One axial slice (272 of 527, counting up from the lowest) of an arterial-phase abdominal CT acquired with 120 kVp, kernel I30f; each pixel is 0.859 mm and the slice is 1.00 mm thick.
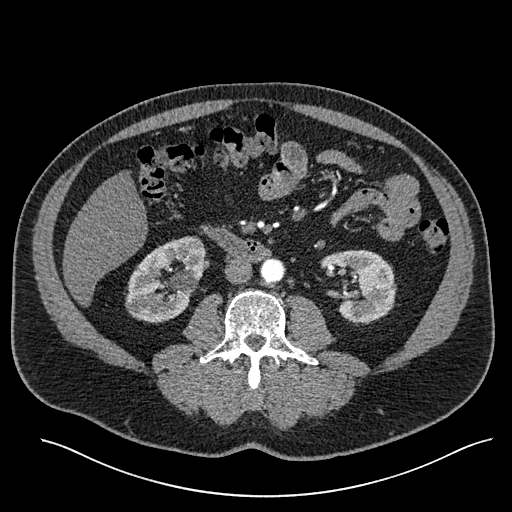
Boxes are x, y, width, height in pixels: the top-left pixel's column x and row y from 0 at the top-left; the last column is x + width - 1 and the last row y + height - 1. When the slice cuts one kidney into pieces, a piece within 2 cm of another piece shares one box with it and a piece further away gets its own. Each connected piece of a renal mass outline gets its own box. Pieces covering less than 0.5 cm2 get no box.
Two boxes on this slice (two kidney boxes), listed by box centre from the image's left to its right. (1) Box x 125, y 236, width 81, height 88: right kidney (outlined area 4,807 px, about 35.5 cm2). (2) Box x 321, y 249, width 76, height 77: left kidney (outlined area 3,914 px, about 28.9 cm2). This slice carries no renal mass outline.